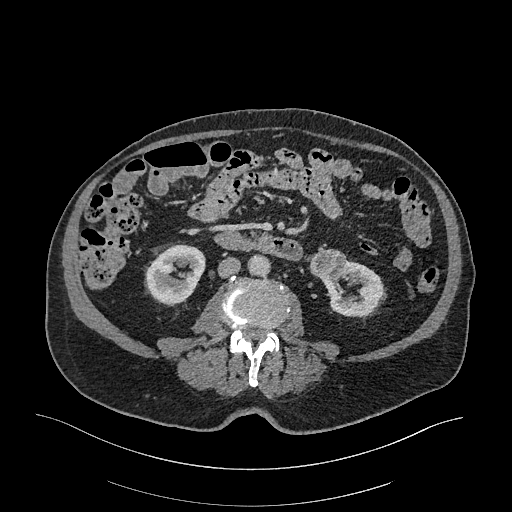
Abdominal CT with intravenous contrast, arterial phase, axial plane, 120 kVp, kernel I26f. Slice 110/470 from the bottom of the scan; thickness 1.00 mm; pixel size 0.938 mm.
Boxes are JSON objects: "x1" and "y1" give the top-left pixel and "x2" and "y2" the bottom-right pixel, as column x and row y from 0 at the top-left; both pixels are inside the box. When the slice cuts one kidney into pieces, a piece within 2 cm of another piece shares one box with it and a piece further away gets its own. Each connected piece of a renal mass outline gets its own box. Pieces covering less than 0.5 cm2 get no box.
Boxed on this slice (two kidney boxes and one renal mass box), listed by box centre from the image's left to its right: (1) Right kidney at {"x1": 145, "y1": 244, "x2": 205, "y2": 305} (outlined area 2,705 px, about 23.8 cm2). (2) Box {"x1": 309, "y1": 248, "x2": 346, "y2": 279}: left renal mass (outlined area 926 px, about 8.1 cm2). (3) Left kidney at {"x1": 322, "y1": 260, "x2": 383, "y2": 317} (outlined area 2,214 px, about 19.5 cm2).